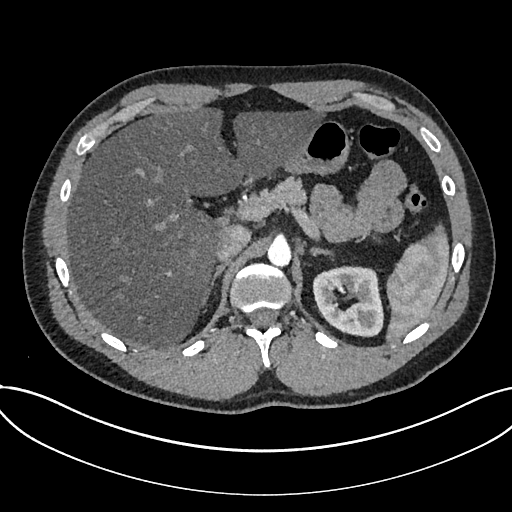
One axial slice (528 of 735, counting up from the lowest) of an arterial-phase abdominal CT acquired with 120 kVp, kernel I30f; each pixel is 0.789 mm and the slice is 1.00 mm thick.
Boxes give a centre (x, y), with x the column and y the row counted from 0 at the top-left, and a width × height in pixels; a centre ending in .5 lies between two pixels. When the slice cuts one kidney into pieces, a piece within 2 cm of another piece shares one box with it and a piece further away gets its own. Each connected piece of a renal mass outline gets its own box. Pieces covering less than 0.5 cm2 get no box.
Box centre (347.5, 301.5), 72 × 72 pixels: kidney (outlined area 3,933 px, about 24.5 cm2). This slice carries no renal mass outline.